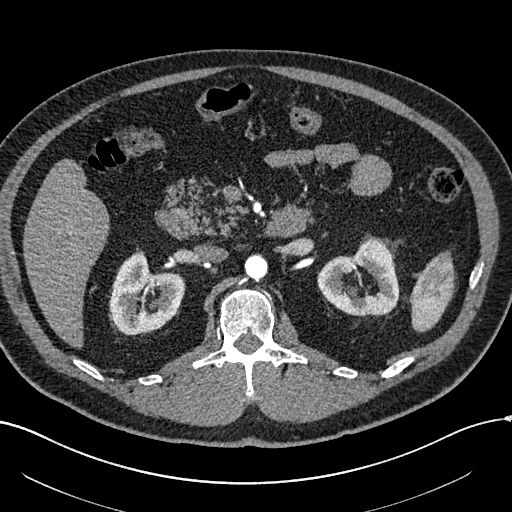
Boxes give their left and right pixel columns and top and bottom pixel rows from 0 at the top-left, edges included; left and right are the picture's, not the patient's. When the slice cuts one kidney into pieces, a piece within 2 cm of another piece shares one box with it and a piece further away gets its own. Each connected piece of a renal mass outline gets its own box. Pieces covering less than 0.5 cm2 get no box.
Slice 369/602 of a contrast-enhanced abdominal CT in the arterial phase, counting up from the lowest; pixel size 0.799 mm, slice thickness 1.00 mm. Boxed on this slice (two kidney boxes), listed by box centre from the image's left to its right: (1) Right kidney, the box with left 109, top 250, right 184, bottom 334 (outlined area 4,426 px, about 28.2 cm2). (2) Left kidney, the box with left 317, top 239, right 399, bottom 316 (outlined area 4,291 px, about 27.4 cm2). No renal mass is outlined on this slice.
Acquired at 120 kVp and reconstructed with the I30f kernel.